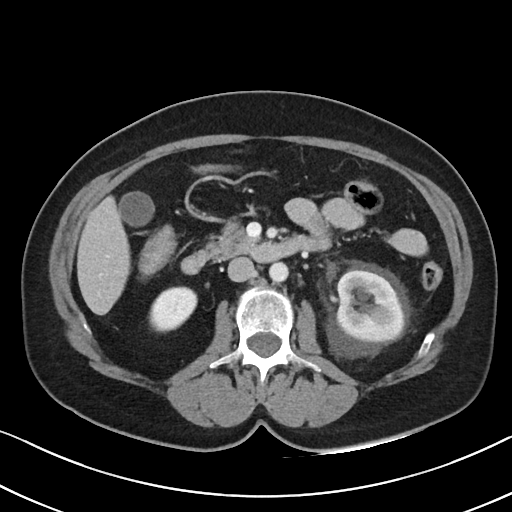
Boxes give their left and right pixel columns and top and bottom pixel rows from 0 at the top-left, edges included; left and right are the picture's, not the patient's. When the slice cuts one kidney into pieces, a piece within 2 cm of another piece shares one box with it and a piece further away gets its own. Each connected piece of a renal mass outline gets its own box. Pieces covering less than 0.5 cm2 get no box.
Contrast-enhanced abdominal CT, axial slice 55 of 88 (counted from the lowest slice); 5.00 mm thick, 0.674 mm per pixel. Two kidney boxes on this slice; by box centre, from the image's left to its right: (1) Right kidney, the box with left 148, top 286, right 197, bottom 332 (outlined area 1,701 px, about 7.7 cm2). (2) Left kidney in the box with left 336, top 271, right 406, bottom 344 (outlined area 4,207 px, about 19.1 cm2). No renal mass outline on this slice.
Acquired at 100 kVp and reconstructed with the I40f kernel.